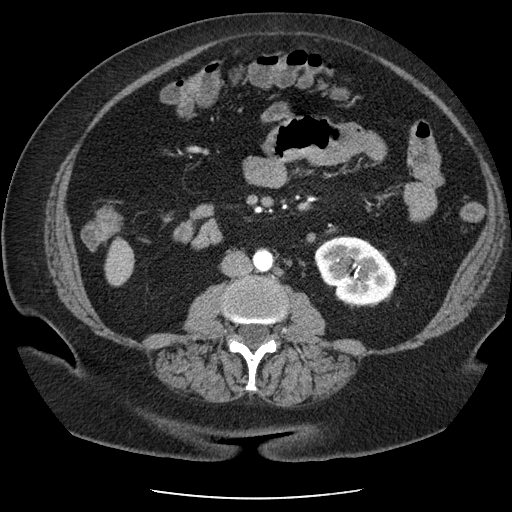
Axial slice 106 of 186 of a contrast-enhanced abdominal CT in the arterial phase (slice 1 is the lowest), 120 kVp, kernel STANDARD; 2.50 mm slice thickness and 0.742 mm pixels.
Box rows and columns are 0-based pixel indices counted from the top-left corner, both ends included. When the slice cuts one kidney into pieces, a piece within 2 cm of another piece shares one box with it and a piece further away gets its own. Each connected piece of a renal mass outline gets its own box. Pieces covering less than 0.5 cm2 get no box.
Box rows 236–305, columns 314–397: left kidney (outlined area 4,266 px, about 23.5 cm2). This slice carries no renal mass outline.